One axial slice (57 of 95, counting up from the lowest) of a contrast-enhanced abdominal CT acquired with 120 kVp, kernel STANDARD; each pixel is 0.781 mm and the slice is 5.00 mm thick.
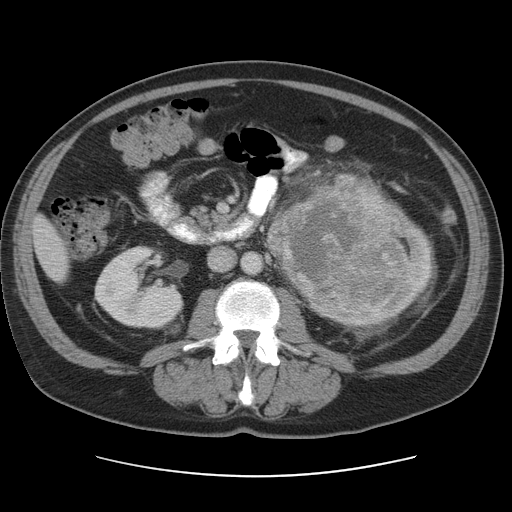
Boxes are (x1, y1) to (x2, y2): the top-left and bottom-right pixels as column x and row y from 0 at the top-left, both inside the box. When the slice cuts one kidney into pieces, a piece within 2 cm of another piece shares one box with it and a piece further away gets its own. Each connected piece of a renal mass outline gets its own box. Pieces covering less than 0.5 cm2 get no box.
Two kidney boxes and one renal mass box on this slice; by box centre, from the image's left to its right: (1) Right kidney from (94, 246) to (183, 335) (outlined area 5,657 px, about 34.5 cm2). (2) Left renal mass, box (268, 174) to (394, 304) (outlined area 13,165 px, about 80.4 cm2). (3) Left kidney, box (297, 180) to (432, 327) (outlined area 5,467 px, about 33.4 cm2).